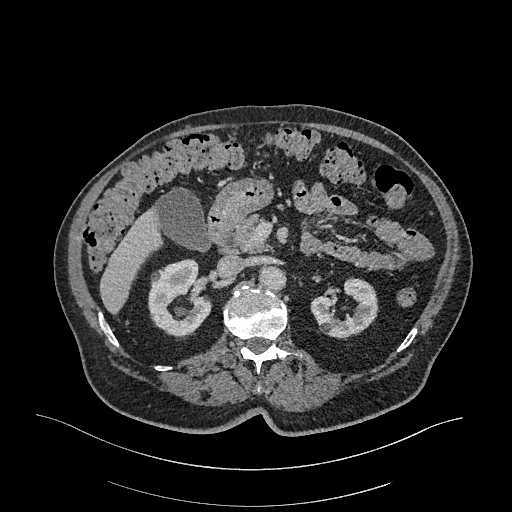
One axial slice (195 of 470, counting up from the lowest) of an arterial-phase abdominal CT acquired with 120 kVp, kernel I26f; each pixel is 0.938 mm and the slice is 1.00 mm thick.
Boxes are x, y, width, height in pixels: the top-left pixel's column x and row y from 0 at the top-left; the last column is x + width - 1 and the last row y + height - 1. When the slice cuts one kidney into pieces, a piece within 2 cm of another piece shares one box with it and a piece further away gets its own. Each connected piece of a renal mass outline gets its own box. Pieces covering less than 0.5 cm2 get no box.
Two kidney boxes on this slice; by box centre, from the image's left to its right: (1) Box x 148, y 259, width 65, height 78: right kidney (outlined area 3,614 px, about 31.8 cm2). (2) Box x 310, y 277, width 69, height 63: left kidney (outlined area 2,614 px, about 23.0 cm2). No renal mass is outlined on this slice.